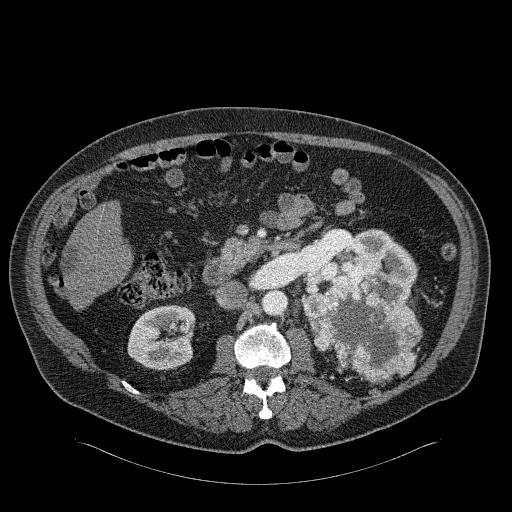
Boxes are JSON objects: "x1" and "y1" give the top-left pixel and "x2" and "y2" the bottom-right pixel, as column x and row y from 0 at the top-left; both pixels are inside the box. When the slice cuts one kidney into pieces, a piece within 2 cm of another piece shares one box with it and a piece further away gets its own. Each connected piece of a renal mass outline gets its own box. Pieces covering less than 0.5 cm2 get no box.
Arterial-phase contrast-enhanced abdominal CT, axial slice 123 of 326 (counted from the lowest slice); 2.00 mm thick, 0.963 mm per pixel. Boxed on this slice (two kidney boxes and one renal mass box), listed by box centre from the image's left to its right: (1) Box {"x1": 127, "y1": 305, "x2": 195, "y2": 370}: right kidney (outlined area 3,576 px, about 33.2 cm2). (2) Box {"x1": 302, "y1": 228, "x2": 417, "y2": 302}: left kidney (outlined area 3,506 px, about 32.5 cm2). (3) Box {"x1": 302, "y1": 252, "x2": 422, "y2": 381}: left renal mass (outlined area 9,213 px, about 85.4 cm2).
Tube voltage 120 kVp; convolution kernel B31f.